One axial slice (39 of 301, counting up from the lowest) of a contrast-enhanced abdominal CT acquired with 120 kVp, kernel I40f; each pixel is 0.859 mm and the slice is 2.00 mm thick.
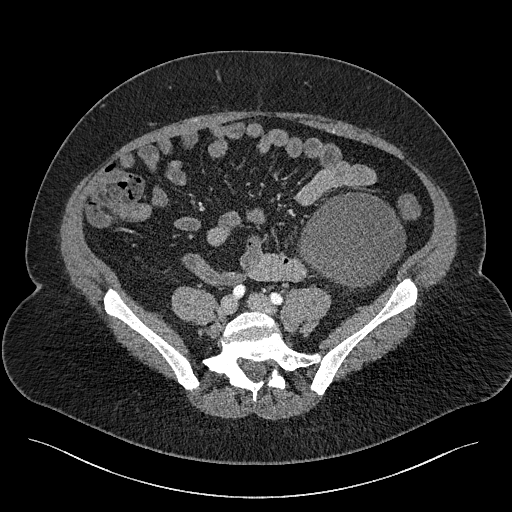
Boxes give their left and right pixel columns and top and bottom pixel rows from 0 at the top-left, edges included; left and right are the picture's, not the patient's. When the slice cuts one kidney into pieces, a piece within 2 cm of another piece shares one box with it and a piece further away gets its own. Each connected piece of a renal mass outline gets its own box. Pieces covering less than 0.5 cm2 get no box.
Left renal mass, the box with left 297, top 192, right 405, bottom 290 (outlined area 7,548 px, about 55.7 cm2); no kidney outline appears on this slice, but the same outlined renal mass comes within 1 cm of the kidney on another slice.